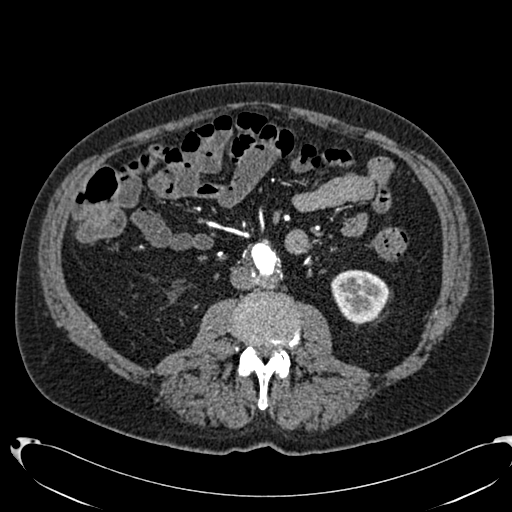
Axial slice 342 of 553 of a contrast-enhanced abdominal CT in the arterial phase (slice 1 is the lowest), 120 kVp, kernel B20f; 1.00 mm slice thickness and 0.773 mm pixels.
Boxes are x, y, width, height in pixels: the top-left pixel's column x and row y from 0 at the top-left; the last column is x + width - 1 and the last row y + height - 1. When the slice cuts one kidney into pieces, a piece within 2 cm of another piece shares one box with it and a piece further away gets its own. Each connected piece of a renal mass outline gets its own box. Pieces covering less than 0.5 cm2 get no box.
Box x 331, y 270, width 58, height 54: left kidney (outlined area 2,402 px, about 14.4 cm2). This slice carries no renal mass outline.